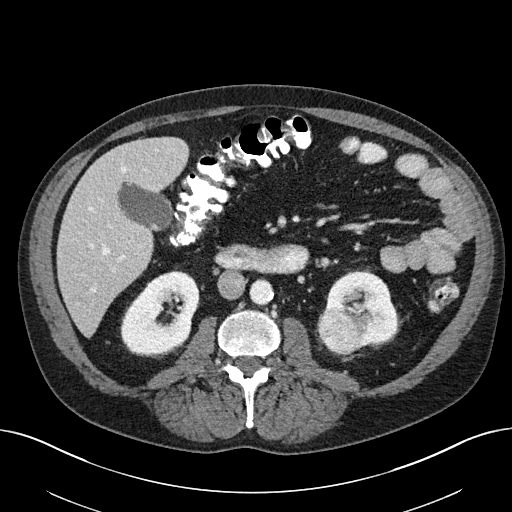
Abdominal CT with intravenous contrast, axial plane, 100 kVp, kernel I40f. Slice 103/163 from the bottom of the scan; thickness 3.00 mm; pixel size 0.799 mm.
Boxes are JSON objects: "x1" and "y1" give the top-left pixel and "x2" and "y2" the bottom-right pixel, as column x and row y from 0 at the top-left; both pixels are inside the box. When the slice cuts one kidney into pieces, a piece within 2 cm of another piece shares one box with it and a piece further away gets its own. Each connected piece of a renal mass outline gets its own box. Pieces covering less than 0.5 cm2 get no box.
Three boxes on this slice (two kidney boxes and one renal mass box), listed by box centre from the image's left to its right. (1) Right kidney at {"x1": 121, "y1": 271, "x2": 199, "y2": 356} (outlined area 4,777 px, about 30.5 cm2). (2) Left renal mass, box {"x1": 317, "y1": 308, "x2": 360, "y2": 355} (outlined area 1,591 px, about 10.2 cm2). (3) Left kidney, box {"x1": 325, "y1": 270, "x2": 400, "y2": 349} (outlined area 3,522 px, about 22.5 cm2).